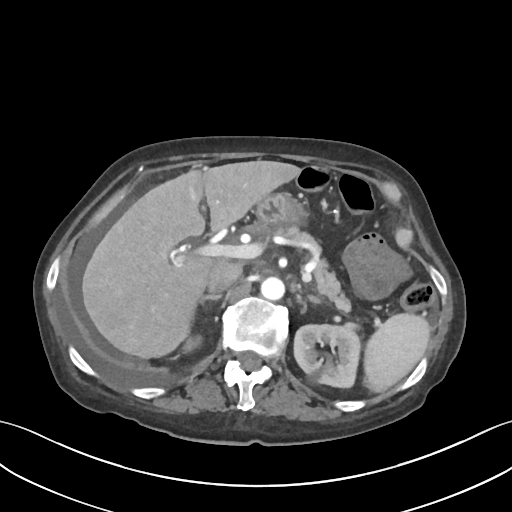
One axial slice (58 of 109, counting up from the lowest) of a contrast-enhanced abdominal CT acquired with 120 kVp, kernel I30f; each pixel is 0.742 mm and the slice is 3.00 mm thick.
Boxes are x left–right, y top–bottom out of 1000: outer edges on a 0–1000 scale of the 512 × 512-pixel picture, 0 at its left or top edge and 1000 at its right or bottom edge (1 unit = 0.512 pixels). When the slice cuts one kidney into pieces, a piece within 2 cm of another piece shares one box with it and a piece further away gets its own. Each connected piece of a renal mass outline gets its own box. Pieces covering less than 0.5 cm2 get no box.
Two kidney boxes on this slice; by box centre, from the image's left to its right: (1) Right kidney, box x 352–398, y 650–693 out of 1000 (outlined area 343 px, about 1.9 cm2). (2) Left kidney, box x 572–707, y 629–760 out of 1000 (outlined area 3,778 px, about 20.8 cm2). This slice carries no renal mass outline.